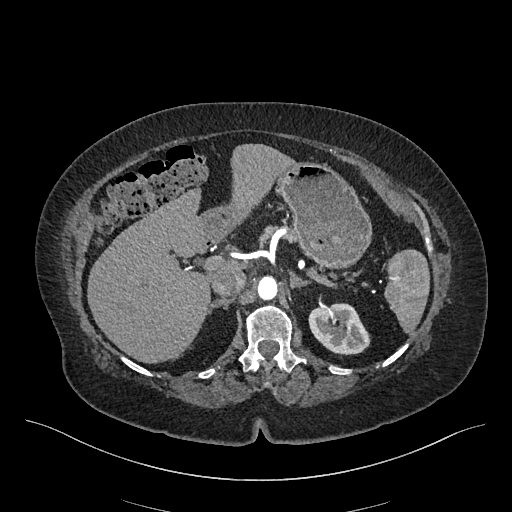
One axial slice (327 of 548, counting up from the lowest) of an arterial-phase abdominal CT acquired with 120 kVp, kernel I26f; each pixel is 0.852 mm and the slice is 1.00 mm thick.
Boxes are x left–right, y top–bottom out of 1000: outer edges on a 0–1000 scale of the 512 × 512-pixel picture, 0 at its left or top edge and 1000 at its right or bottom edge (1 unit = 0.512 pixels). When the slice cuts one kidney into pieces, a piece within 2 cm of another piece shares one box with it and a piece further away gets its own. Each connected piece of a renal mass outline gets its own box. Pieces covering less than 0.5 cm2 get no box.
Left kidney, box x 602–725, y 592–693 out of 1000 (outlined area 2,391 px, about 17.3 cm2). This slice carries no renal mass outline.